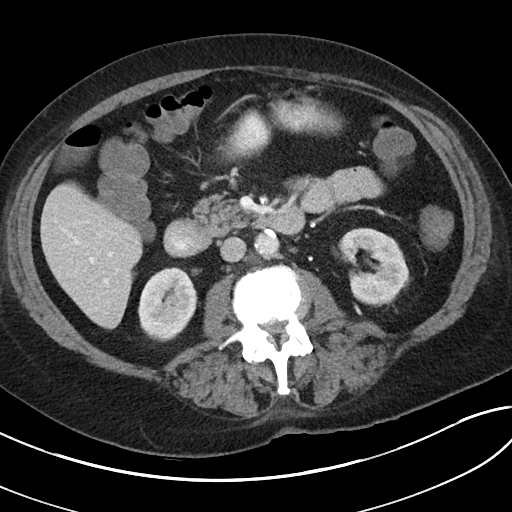
Abdominal CT with intravenous contrast, axial plane, 100 kVp, kernel I40f. Slice 54/80 from the bottom of the scan; thickness 5.00 mm; pixel size 0.703 mm.
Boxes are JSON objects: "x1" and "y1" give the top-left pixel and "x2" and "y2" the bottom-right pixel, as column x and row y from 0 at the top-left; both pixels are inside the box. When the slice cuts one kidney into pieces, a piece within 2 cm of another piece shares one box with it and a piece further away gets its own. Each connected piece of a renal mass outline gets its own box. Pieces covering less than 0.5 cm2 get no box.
Boxed on this slice (two kidney boxes), listed by box centre from the image's left to its right: (1) Box {"x1": 138, "y1": 267, "x2": 197, "y2": 341}: right kidney (outlined area 3,382 px, about 16.7 cm2). (2) Left kidney, box {"x1": 338, "y1": 228, "x2": 409, "y2": 305} (outlined area 3,910 px, about 19.3 cm2). No renal mass is outlined on this slice.